Contrast-enhanced abdominal CT, axial slice 66 of 103 (counted from the lowest slice); tube voltage 120 kVp, convolution kernel B31f; slices 5.00 mm thick, 0.801 mm per pixel.
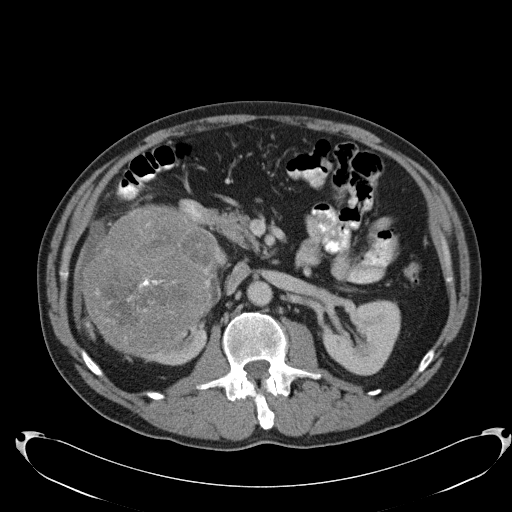
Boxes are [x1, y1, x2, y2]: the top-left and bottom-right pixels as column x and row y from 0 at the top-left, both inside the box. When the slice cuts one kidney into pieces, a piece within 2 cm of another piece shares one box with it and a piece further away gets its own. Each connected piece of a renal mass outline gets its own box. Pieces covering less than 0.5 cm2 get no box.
Boxed on this slice (two kidney boxes and one renal mass box), listed by box centre from the image's left to its right: (1) Right renal mass, box [80, 204, 229, 359] (outlined area 16,817 px, about 107.8 cm2). (2) Right kidney, box [148, 325, 207, 365] (outlined area 770 px, about 4.9 cm2). (3) Left kidney, box [321, 300, 400, 375] (outlined area 4,280 px, about 27.4 cm2).